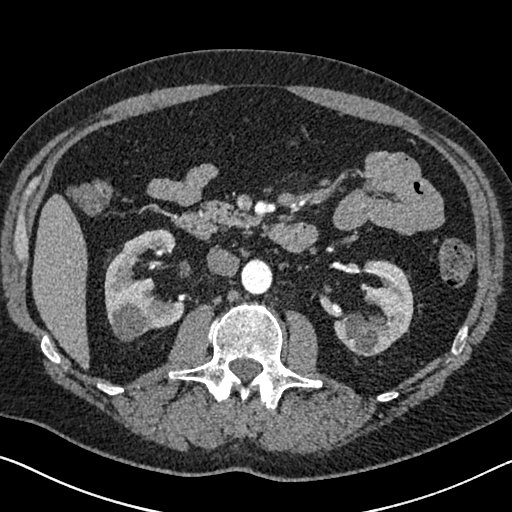
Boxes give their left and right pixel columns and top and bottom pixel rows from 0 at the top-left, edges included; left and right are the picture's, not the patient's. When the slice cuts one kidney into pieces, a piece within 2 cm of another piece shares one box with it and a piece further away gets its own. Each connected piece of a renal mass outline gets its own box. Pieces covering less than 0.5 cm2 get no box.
Arterial-phase contrast-enhanced abdominal CT, axial slice 383 of 626 (counted from the lowest slice); 1.00 mm thick, 0.703 mm per pixel. Two boxes on this slice (two kidney boxes), listed by box centre from the image's left to its right. (1) Right kidney in the box with left 104, top 229, right 185, bottom 341 (outlined area 5,535 px, about 27.4 cm2). (2) Left kidney, the box with left 333, top 260, right 413, bottom 356 (outlined area 4,632 px, about 22.9 cm2). No renal mass is outlined on this slice.
Tube voltage 120 kVp; convolution kernel I30f.